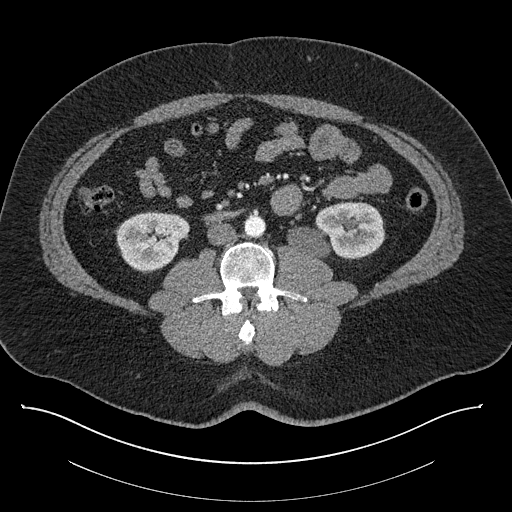
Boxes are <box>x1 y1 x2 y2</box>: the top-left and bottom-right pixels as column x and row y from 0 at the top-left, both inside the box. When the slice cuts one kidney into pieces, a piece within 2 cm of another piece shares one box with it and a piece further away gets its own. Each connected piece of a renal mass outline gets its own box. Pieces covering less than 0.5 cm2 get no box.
Slice 406/787 of a contrast-enhanced abdominal CT, counting up from the lowest; pixel size 0.910 mm, slice thickness 1.00 mm. Boxed on this slice (two kidney boxes), listed by box centre from the image's left to its right: (1) Right kidney: <box>116 211 189 271</box> (outlined area 3,317 px, about 27.5 cm2). (2) Left kidney at <box>287 201 384 258</box> (outlined area 4,073 px, about 33.7 cm2). No renal mass outline on this slice.
Acquired at 140 kVp and reconstructed with the I30f kernel.